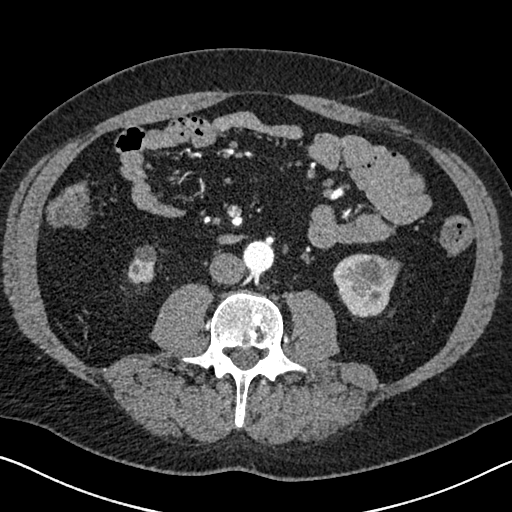
Arterial-phase contrast-enhanced abdominal CT, axial slice 301 of 626 (counted from the lowest slice); tube voltage 120 kVp, convolution kernel I30f; slices 1.00 mm thick, 0.703 mm per pixel.
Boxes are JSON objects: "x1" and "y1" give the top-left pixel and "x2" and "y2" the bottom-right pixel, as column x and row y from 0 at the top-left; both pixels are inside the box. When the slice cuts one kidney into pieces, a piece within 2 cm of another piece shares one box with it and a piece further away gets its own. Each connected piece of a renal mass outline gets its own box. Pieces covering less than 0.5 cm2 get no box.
Boxed on this slice (two kidney boxes and one renal mass box), listed by box centre from the image's left to its right: (1) Box {"x1": 127, "y1": 245, "x2": 156, "y2": 284}: right kidney (outlined area 862 px, about 4.3 cm2). (2) Box {"x1": 332, "y1": 253, "x2": 396, "y2": 317}: left kidney (outlined area 2,337 px, about 11.6 cm2). (3) Left renal mass, box {"x1": 356, "y1": 258, "x2": 401, "y2": 286} (outlined area 882 px, about 4.4 cm2).